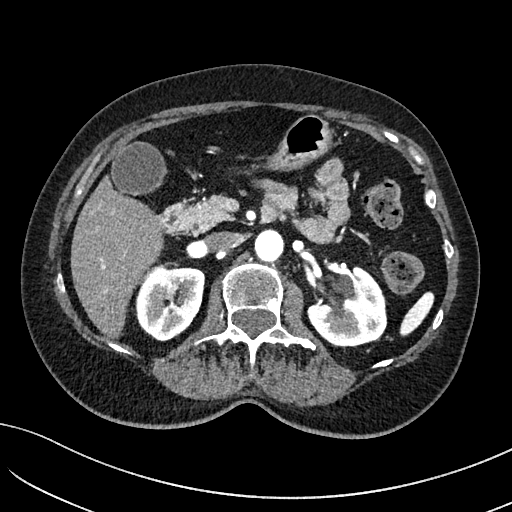
Abdominal CT with intravenous contrast, arterial phase, axial plane, 100 kVp, kernel I40f. Slice 79/234 from the bottom of the scan; thickness 2.00 mm; pixel size 0.699 mm.
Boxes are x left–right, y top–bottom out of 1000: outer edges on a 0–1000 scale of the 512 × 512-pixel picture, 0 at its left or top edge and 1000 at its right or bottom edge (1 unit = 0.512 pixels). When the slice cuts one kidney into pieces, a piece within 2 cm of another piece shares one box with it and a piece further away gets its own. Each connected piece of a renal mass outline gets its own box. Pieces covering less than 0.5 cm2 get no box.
Two kidney boxes on this slice; by box centre, from the image's left to its right: (1) Right kidney, box x 264–400, y 520–668 out of 1000 (outlined area 4,059 px, about 19.8 cm2). (2) Left kidney, box x 600–758, y 520–680 out of 1000 (outlined area 4,509 px, about 22.0 cm2). No renal mass outline on this slice.